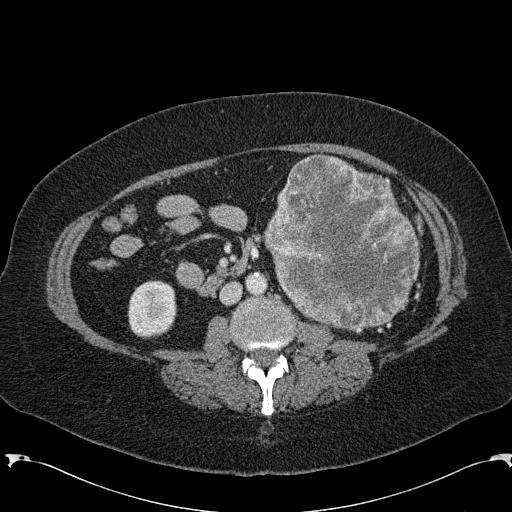
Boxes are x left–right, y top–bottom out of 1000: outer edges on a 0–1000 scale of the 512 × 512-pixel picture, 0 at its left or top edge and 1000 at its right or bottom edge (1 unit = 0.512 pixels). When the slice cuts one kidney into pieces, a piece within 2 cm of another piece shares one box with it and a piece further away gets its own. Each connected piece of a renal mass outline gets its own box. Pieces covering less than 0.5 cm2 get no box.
Arterial-phase contrast-enhanced abdominal CT, axial slice 102 of 285 (counted from the lowest slice); 2.00 mm thick, 0.762 mm per pixel. One kidney box and one renal mass box on this slice; by box centre, from the image's left to its right: (1) Box x 248–346, y 547–662 out of 1000: right kidney (outlined area 2,346 px, about 13.6 cm2). (2) Left renal mass, box x 510–822, y 299–650 out of 1000 (outlined area 20,462 px, about 118.7 cm2); on this slice it lies more than 1 cm from any kidney outline, but the same outlined renal mass comes within 1 cm of the kidney on another slice.
Scan settings: 120 kVp, B31f reconstruction kernel.